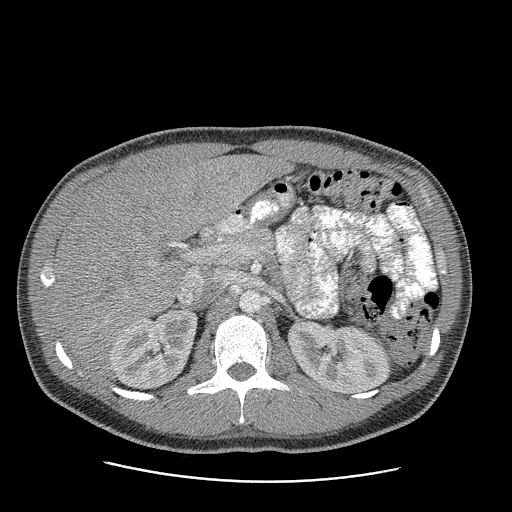
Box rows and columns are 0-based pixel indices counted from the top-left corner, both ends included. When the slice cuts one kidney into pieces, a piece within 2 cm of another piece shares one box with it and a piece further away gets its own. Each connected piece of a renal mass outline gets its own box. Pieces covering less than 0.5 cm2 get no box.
Arterial-phase contrast-enhanced abdominal CT, axial slice 159 of 199 (counted from the lowest slice); 2.50 mm thick, 0.789 mm per pixel. Two kidney boxes on this slice; by box centre, from the image's left to its right: (1) Right kidney, box rows 309–389, columns 110–197 (outlined area 5,223 px, about 32.5 cm2). (2) Left kidney at rows 319–393, columns 288–390 (outlined area 5,698 px, about 35.5 cm2). No renal mass is outlined on this slice.
Tube voltage 120 kVp; convolution kernel STANDARD.